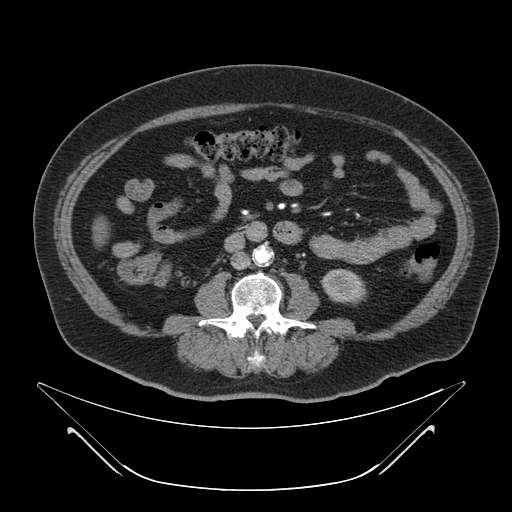
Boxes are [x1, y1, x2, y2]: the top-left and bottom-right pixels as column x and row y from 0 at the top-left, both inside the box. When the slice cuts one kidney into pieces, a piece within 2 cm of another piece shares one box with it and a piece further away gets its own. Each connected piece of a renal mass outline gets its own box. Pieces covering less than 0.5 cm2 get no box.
This is axial slice 15 of 64 (slice 1 is the lowest) of an abdominal CT with contrast; each pixel is 0.977 mm and the slice is 4.00 mm thick. Left kidney at [320, 268, 366, 304] (outlined area 1,252 px, about 11.9 cm2). No renal mass outline on this slice.
Scan settings: 120 kVp, B reconstruction kernel.